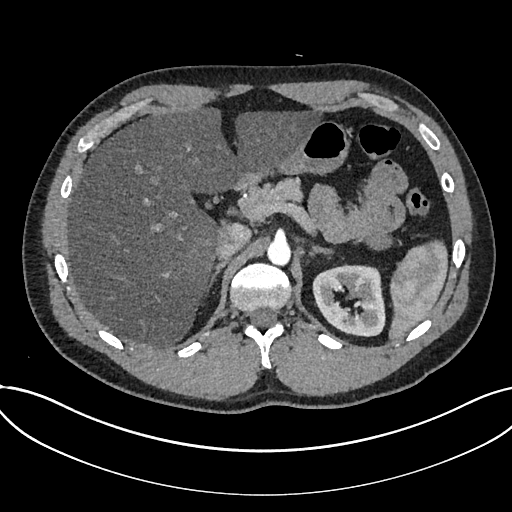
Abdominal CT with intravenous contrast, arterial phase, axial plane, 120 kVp, kernel I30f. Slice 523/735 from the bottom of the scan; thickness 1.00 mm; pixel size 0.789 mm.
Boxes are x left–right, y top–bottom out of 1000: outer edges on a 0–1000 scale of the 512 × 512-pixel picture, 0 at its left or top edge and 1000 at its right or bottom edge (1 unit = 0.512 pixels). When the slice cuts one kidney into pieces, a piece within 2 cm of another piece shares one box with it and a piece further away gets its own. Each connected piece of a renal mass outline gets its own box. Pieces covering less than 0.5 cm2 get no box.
Kidney, box x 609–754, y 516–658 out of 1000 (outlined area 4,075 px, about 25.4 cm2). No renal mass outline on this slice.